Axial slice 125 of 178 of a contrast-enhanced abdominal CT (slice 1 is the lowest), 100 kVp, kernel I30f; 5.00 mm slice thickness and 0.650 mm pixels.
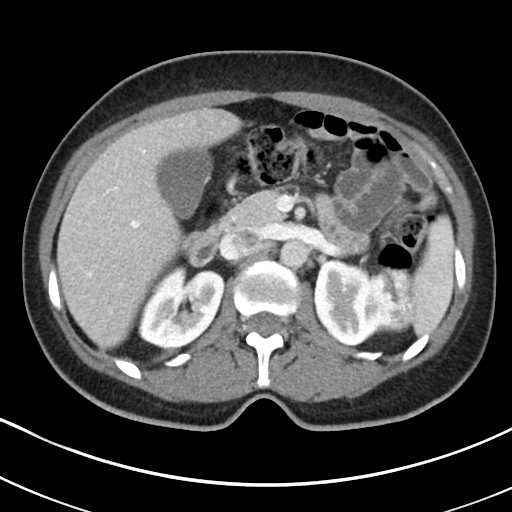
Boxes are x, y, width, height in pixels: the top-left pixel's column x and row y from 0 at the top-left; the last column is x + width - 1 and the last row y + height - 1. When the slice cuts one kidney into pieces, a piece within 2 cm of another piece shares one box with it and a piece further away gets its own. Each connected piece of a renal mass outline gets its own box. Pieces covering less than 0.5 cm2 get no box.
Three boxes on this slice (two kidney boxes and one renal mass box), listed by box centre from the image's left to its right. (1) Right kidney, box x 138, y 265, width 87, height 85 (outlined area 5,202 px, about 22.0 cm2). (2) Left kidney, box x 313, y 259, width 74, height 88 (outlined area 4,371 px, about 18.5 cm2). (3) Left renal mass, box x 370, y 268, width 47, height 66 (outlined area 2,466 px, about 10.4 cm2).